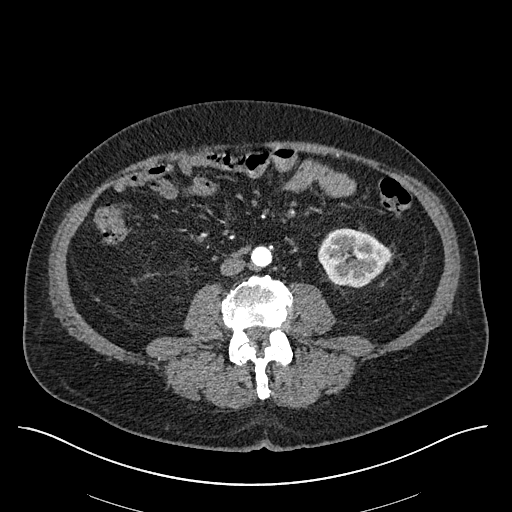
Abdominal CT with intravenous contrast, arterial phase, axial plane, 120 kVp, kernel I30f. Slice 239/670 from the bottom of the scan; thickness 1.00 mm; pixel size 0.861 mm.
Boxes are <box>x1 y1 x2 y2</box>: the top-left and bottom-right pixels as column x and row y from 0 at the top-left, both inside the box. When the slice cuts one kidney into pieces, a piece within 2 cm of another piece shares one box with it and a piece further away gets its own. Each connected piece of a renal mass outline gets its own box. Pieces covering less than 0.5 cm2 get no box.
At <box>318 228 391 287</box>: left kidney (outlined area 3,260 px, about 24.2 cm2). No renal mass outline on this slice.